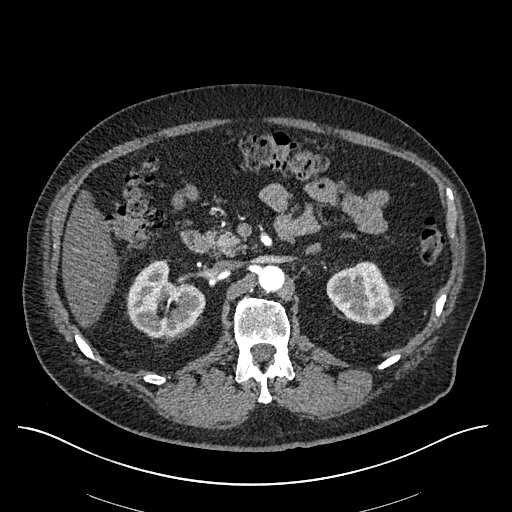
Arterial-phase contrast-enhanced abdominal CT, axial slice 367 of 670 (counted from the lowest slice); tube voltage 120 kVp, convolution kernel I30f; slices 1.00 mm thick, 0.861 mm per pixel.
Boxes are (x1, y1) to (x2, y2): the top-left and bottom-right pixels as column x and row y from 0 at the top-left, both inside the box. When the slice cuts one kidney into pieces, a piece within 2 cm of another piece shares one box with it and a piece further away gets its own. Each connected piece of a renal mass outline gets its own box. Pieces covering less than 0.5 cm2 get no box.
Two kidney boxes on this slice; by box centre, from the image's left to its right: (1) Right kidney from (126, 260) to (205, 338) (outlined area 4,273 px, about 31.7 cm2). (2) Box (326, 261) to (401, 324): left kidney (outlined area 3,244 px, about 24.1 cm2). No renal mass is outlined on this slice.